Arterial-phase contrast-enhanced abdominal CT, axial slice 103 of 164 (counted from the lowest slice); tube voltage 130 kVp, convolution kernel B30s; slices 3.00 mm thick, 0.664 mm per pixel.
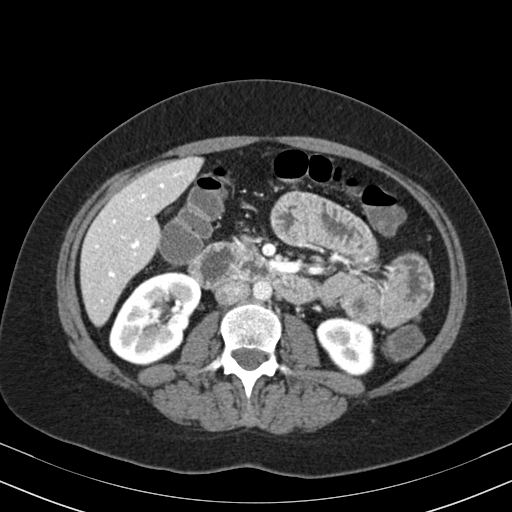
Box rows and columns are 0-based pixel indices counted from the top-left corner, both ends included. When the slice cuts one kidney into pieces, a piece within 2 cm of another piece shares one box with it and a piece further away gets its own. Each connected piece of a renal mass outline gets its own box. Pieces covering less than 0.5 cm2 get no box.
Two boxes on this slice (two kidney boxes), listed by box centre from the image's left to its right. (1) Right kidney, box rows 271–364, columns 109–200 (outlined area 6,007 px, about 26.5 cm2). (2) Left kidney at rows 317–375, columns 316–374 (outlined area 2,596 px, about 11.4 cm2). No renal mass is outlined on this slice.